Abdominal CT with intravenous contrast, arterial phase, axial plane, 120 kVp, kernel I26f. Slice 234/470 from the bottom of the scan; thickness 1.00 mm; pixel size 0.938 mm.
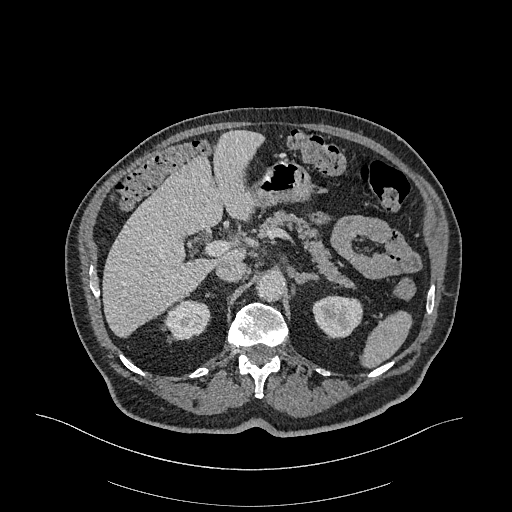
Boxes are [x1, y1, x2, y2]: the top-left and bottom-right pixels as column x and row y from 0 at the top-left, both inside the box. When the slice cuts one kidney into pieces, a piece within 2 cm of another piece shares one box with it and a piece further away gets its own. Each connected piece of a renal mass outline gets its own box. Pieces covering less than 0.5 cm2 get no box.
Two boxes on this slice (two kidney boxes), listed by box centre from the image's left to its right. (1) Right kidney at [165, 299, 211, 340] (outlined area 1,407 px, about 12.4 cm2). (2) Box [312, 295, 362, 338]: left kidney (outlined area 1,728 px, about 15.2 cm2). This slice carries no renal mass outline.